One axial slice (185 of 314, counting up from the lowest) of a contrast-enhanced abdominal CT acquired with 130 kVp, kernel B31s; each pixel is 0.934 mm and the slice is 2.50 mm thick.
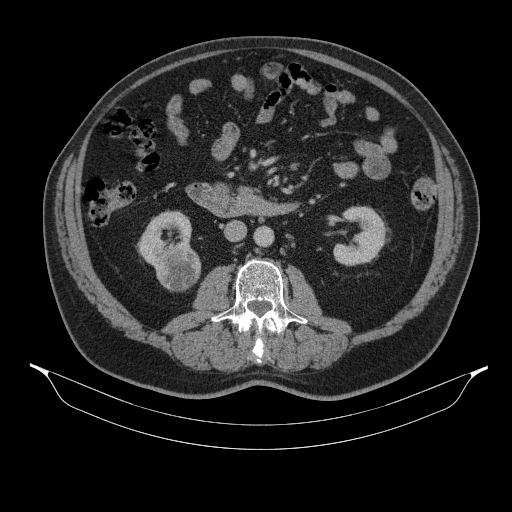
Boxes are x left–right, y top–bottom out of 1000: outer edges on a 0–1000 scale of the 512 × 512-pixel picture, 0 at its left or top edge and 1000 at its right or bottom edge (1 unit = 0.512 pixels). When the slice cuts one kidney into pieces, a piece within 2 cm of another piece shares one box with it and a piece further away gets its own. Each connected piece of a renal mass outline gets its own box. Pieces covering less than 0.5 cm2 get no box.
Three boxes on this slice (two kidney boxes and one renal mass box), listed by box centre from the image's left to its right. (1) Right kidney at x 266–375, y 410–523 out of 1000 (outlined area 1,765 px, about 15.4 cm2). (2) Right renal mass, box x 303–395, y 471–570 out of 1000 (outlined area 1,770 px, about 15.4 cm2). (3) Box x 650–760, y 402–521 out of 1000: left kidney (outlined area 2,225 px, about 19.4 cm2).